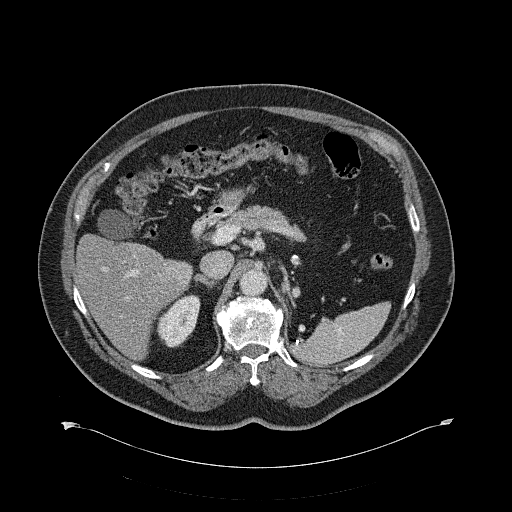
One axial slice (419 of 734, counting up from the lowest) of a contrast-enhanced abdominal CT acquired with 120 kVp, kernel B31f; each pixel is 0.971 mm and the slice is 2.00 mm thick.
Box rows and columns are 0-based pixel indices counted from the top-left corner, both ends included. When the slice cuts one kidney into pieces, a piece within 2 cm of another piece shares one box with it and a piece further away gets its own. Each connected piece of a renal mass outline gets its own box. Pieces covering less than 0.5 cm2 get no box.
Right kidney, box rows 294–347, columns 157–200 (outlined area 1,604 px, about 15.1 cm2). This slice carries no renal mass outline.